One axial slice (277 of 735, counting up from the lowest) of an arterial-phase abdominal CT acquired with 120 kVp, kernel I30f; each pixel is 0.789 mm and the slice is 1.00 mm thick.
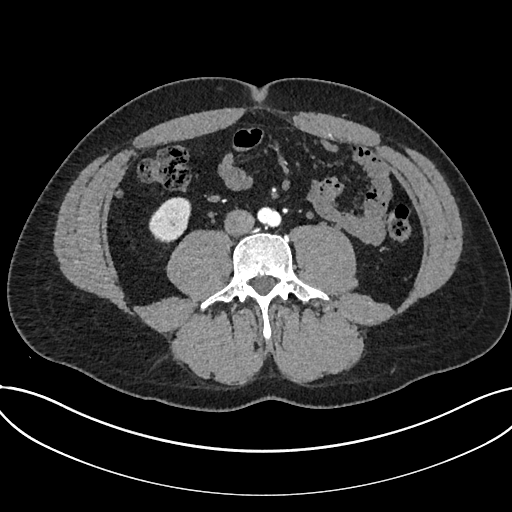
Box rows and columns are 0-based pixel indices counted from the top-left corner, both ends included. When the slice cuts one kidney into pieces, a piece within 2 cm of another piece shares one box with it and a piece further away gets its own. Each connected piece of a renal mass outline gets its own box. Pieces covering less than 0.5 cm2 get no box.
Kidney, box rows 197–243, columns 148–191 (outlined area 1,448 px, about 9.0 cm2). No renal mass outline on this slice.